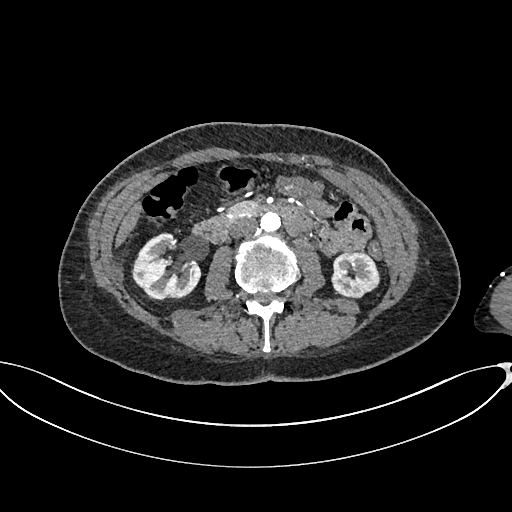
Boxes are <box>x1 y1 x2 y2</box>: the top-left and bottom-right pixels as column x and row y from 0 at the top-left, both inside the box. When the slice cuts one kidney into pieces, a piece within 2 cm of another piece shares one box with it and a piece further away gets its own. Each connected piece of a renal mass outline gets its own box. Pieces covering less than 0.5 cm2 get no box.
This is axial slice 351 of 665 (slice 1 is the lowest) of an arterial-phase abdominal CT with contrast; each pixel is 0.828 mm and the slice is 1.00 mm thick. Two boxes on this slice (two kidney boxes), listed by box centre from the image's left to its right. (1) Right kidney: <box>131 232 201 300</box> (outlined area 3,284 px, about 22.5 cm2). (2) Left kidney: <box>331 251 380 298</box> (outlined area 1,825 px, about 12.5 cm2). No renal mass is outlined on this slice.
Scan settings: 100 kVp, I26f reconstruction kernel.